One axial slice (349 of 553, counting up from the lowest) of an arterial-phase abdominal CT acquired with 120 kVp, kernel B20f; each pixel is 0.773 mm and the slice is 1.00 mm thick.
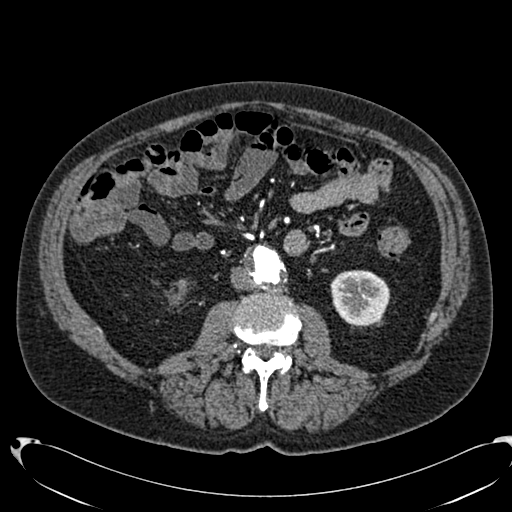
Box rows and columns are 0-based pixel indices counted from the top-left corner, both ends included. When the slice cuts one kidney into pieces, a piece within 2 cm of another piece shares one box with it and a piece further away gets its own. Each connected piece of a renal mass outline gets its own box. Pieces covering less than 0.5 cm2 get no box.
Two kidney boxes on this slice; by box centre, from the image's left to its right: (1) Box rows 281–304, columns 168–185: right kidney (outlined area 205 px, about 1.2 cm2). (2) Left kidney at rows 270–326, columns 330–390 (outlined area 2,681 px, about 16.0 cm2). No renal mass outline on this slice.